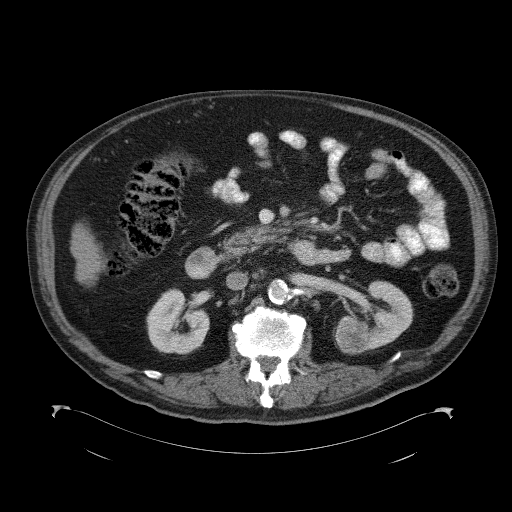
Abdominal CT with intravenous contrast, axial plane, 120 kVp, kernel B41f. Slice 59/98 from the bottom of the scan; thickness 5.00 mm; pixel size 0.965 mm.
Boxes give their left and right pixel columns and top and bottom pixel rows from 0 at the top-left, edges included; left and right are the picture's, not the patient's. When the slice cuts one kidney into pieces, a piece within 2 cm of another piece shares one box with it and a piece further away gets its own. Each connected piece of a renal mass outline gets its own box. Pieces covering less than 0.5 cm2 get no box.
Three boxes on this slice (two kidney boxes and one renal mass box), listed by box centre from the image's left to its right. (1) Right kidney in the box with left 146, top 288, right 209, bottom 354 (outlined area 3,079 px, about 28.7 cm2). (2) Left renal mass, the box with left 333, top 319, right 369, bottom 354 (outlined area 1,060 px, about 9.9 cm2). (3) Left kidney, the box with left 339, top 280, right 413, bottom 350 (outlined area 2,744 px, about 25.5 cm2).